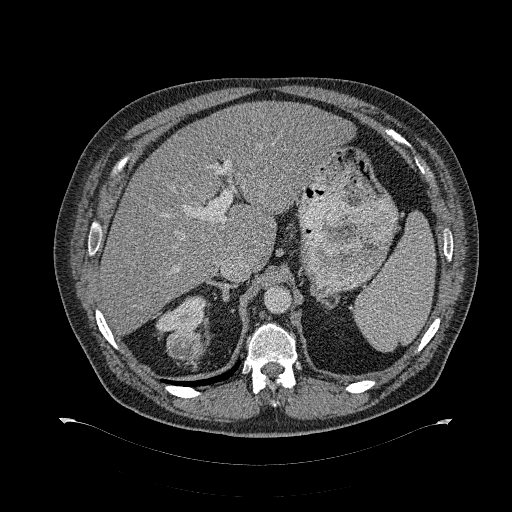
Contrast-enhanced abdominal CT, axial slice 223 of 274 (counted from the lowest slice); tube voltage 120 kVp, convolution kernel B31f; slices 2.00 mm thick, 0.977 mm per pixel.
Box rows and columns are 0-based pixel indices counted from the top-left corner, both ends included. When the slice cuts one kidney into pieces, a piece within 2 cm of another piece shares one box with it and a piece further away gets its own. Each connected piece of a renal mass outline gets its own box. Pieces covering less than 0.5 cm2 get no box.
Boxed on this slice (one kidney box and one renal mass box), listed by box centre from the image's left to its right: (1) Box rows 296–331, columns 155–206: right kidney (outlined area 1,199 px, about 11.4 cm2). (2) Right renal mass, box rows 329–361, columns 166–206 (outlined area 1,049 px, about 10.0 cm2).